Abdominal CT with intravenous contrast, arterial phase, axial plane, 120 kVp, kernel I30f. Slice 377/673 from the bottom of the scan; thickness 1.00 mm; pixel size 0.855 mm.
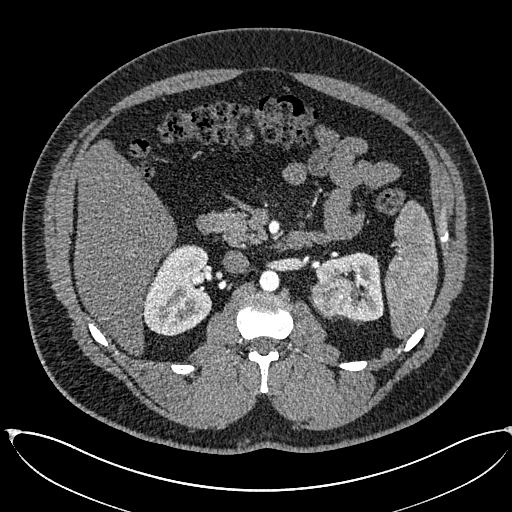
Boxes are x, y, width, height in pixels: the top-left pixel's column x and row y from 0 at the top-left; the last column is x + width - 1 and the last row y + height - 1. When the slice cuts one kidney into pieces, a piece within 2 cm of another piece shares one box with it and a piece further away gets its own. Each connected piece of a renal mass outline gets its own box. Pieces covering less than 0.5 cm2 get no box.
Two kidney boxes and one renal mass box on this slice; by box centre, from the image's left to its right: (1) Box x 143, y 244, width 70, height 92: right kidney (outlined area 4,751 px, about 34.8 cm2). (2) Left renal mass at x 310, y 275, width 49, height 45 (outlined area 1,666 px, about 12.2 cm2). (3) Box x 315, y 252, width 69, height 71: left kidney (outlined area 2,473 px, about 18.1 cm2).